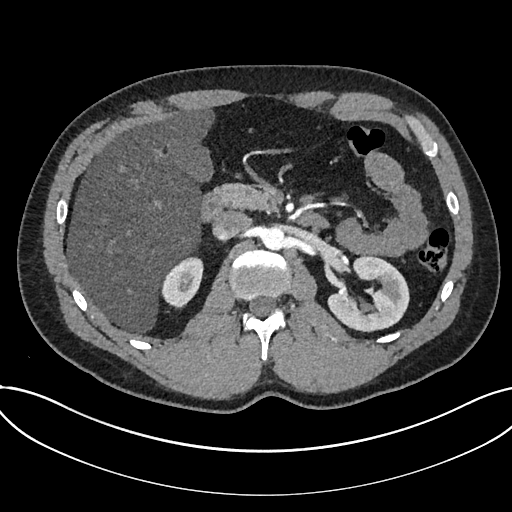
Arterial-phase contrast-enhanced abdominal CT, axial slice 457 of 735 (counted from the lowest slice); tube voltage 120 kVp, convolution kernel I30f; slices 1.00 mm thick, 0.789 mm per pixel.
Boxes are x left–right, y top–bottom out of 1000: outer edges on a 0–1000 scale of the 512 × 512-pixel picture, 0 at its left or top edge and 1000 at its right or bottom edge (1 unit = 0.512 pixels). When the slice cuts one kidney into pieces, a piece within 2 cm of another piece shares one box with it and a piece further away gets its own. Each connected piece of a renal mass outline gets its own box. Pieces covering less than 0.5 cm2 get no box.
Two kidney boxes on this slice; by box centre, from the image's left to its right: (1) Kidney at x 314–398, y 500–604 out of 1000 (outlined area 1,582 px, about 9.8 cm2). (2) Kidney, box x 639–801, y 498–650 out of 1000 (outlined area 4,142 px, about 25.8 cm2). This slice carries no renal mass outline.